Axial slice 254 of 1059 of a contrast-enhanced abdominal CT in the arterial phase (slice 1 is the lowest), 100 kVp, kernel I30f; 1.00 mm slice thickness and 0.811 mm pixels.
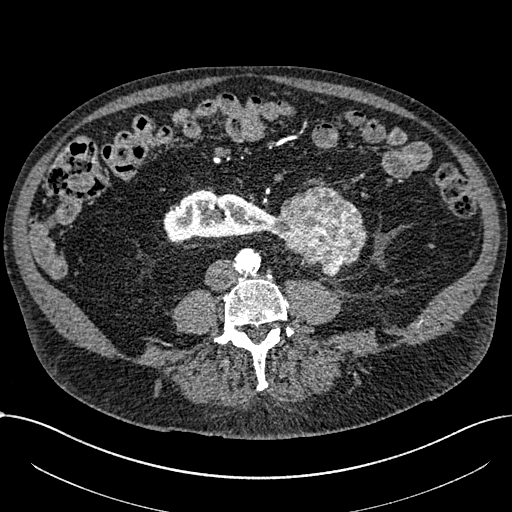
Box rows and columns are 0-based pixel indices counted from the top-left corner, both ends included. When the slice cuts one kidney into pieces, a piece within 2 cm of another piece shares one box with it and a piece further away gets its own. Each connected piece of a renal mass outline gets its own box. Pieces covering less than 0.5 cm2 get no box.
Boxed on this slice (one kidney box and one renal mass box), listed by box centre from the image's left to its right: (1) Right part of the midline-crossing kidney at rows 189–241, columns 163–273 (outlined area 4,066 px, about 26.7 cm2). (2) Renal mass at rows 184–277, columns 270–367 (outlined area 5,828 px, about 38.3 cm2).